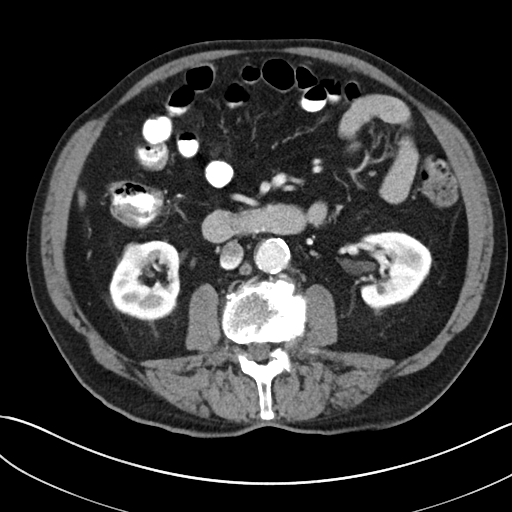
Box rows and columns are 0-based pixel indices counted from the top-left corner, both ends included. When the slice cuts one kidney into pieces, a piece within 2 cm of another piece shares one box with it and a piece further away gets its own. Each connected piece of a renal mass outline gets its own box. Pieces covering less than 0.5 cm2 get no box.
This is axial slice 119 of 269 (slice 1 is the lowest) of an abdominal CT with contrast; each pixel is 0.732 mm and the slice is 5.00 mm thick. Two kidney boxes and one renal mass box on this slice; by box centre, from the image's left to its right: (1) Right renal mass at rows 242–260, columns 122–142 (outlined area 314 px, about 1.7 cm2). (2) Right kidney, box rows 240–320, columns 109–181 (outlined area 4,252 px, about 22.8 cm2). (3) Left kidney, box rows 231–311, columns 359–432 (outlined area 4,419 px, about 23.7 cm2).
Scan settings: 100 kVp, I30f reconstruction kernel.